Abdominal CT with intravenous contrast, arterial phase, axial plane, 100 kVp, kernel I26f. Slice 350/665 from the bottom of the scan; thickness 1.00 mm; pixel size 0.828 mm.
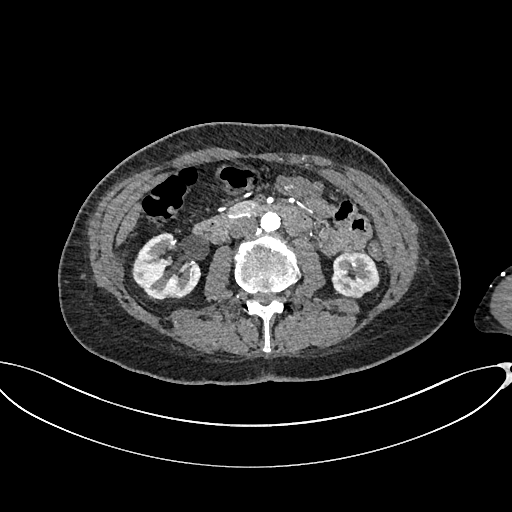
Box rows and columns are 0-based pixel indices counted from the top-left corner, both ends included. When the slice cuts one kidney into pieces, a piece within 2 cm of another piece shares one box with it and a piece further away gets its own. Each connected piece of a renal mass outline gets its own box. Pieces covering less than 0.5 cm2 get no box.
Two boxes on this slice (two kidney boxes), listed by box centre from the image's left to its right. (1) Right kidney at rows 232–301, columns 131–200 (outlined area 3,278 px, about 22.5 cm2). (2) Left kidney, box rows 251–298, columns 331–379 (outlined area 1,805 px, about 12.4 cm2). No renal mass outline on this slice.